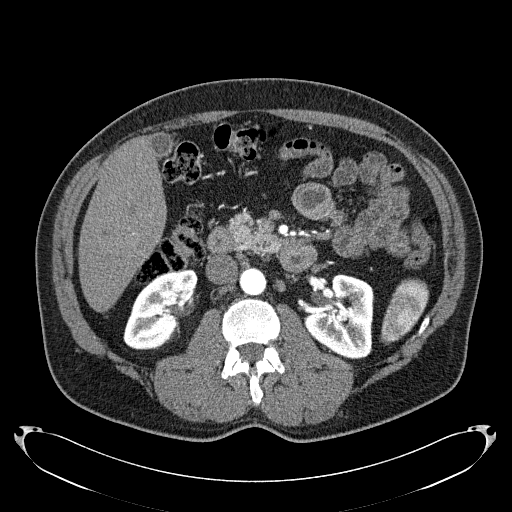
Abdominal CT with intravenous contrast, arterial phase, axial plane, 120 kVp, kernel B31f. Slice 115/279 from the bottom of the scan; thickness 2.00 mm; pixel size 0.824 mm.
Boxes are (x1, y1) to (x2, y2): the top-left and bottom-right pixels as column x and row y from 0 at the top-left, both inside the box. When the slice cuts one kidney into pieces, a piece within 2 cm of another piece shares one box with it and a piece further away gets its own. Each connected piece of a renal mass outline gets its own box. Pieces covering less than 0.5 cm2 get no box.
Two boxes on this slice (two kidney boxes), listed by box centre from the image's left to its right. (1) Right kidney from (123, 269) to (197, 349) (outlined area 3,963 px, about 26.9 cm2). (2) Left kidney, box (303, 274) to (374, 359) (outlined area 4,467 px, about 30.3 cm2). This slice carries no renal mass outline.